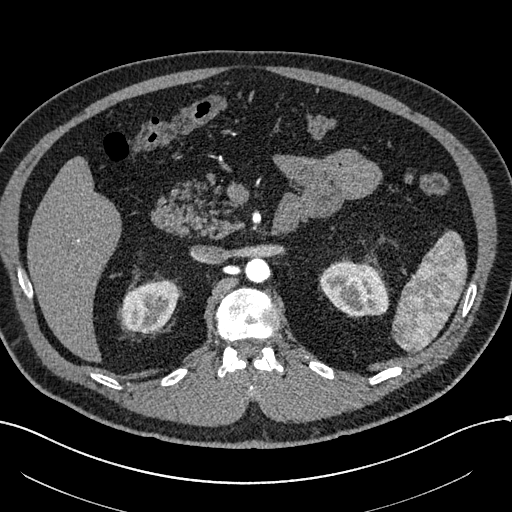
Abdominal CT with intravenous contrast, arterial phase, axial plane, 120 kVp, kernel I30f. Slice 396/602 from the bottom of the scan; thickness 1.00 mm; pixel size 0.799 mm.
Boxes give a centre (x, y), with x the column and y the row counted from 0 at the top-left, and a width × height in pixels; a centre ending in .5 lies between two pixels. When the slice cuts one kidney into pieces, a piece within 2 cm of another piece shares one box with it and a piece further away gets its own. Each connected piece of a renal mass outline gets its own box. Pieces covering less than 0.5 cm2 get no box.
Boxed on this slice (two kidney boxes), listed by box centre from the image's left to its right: (1) Right kidney in a box with centre (150, 306), 59 × 53 pixels (outlined area 2,357 px, about 15.0 cm2). (2) Left kidney in a box with centre (354, 288.5), 71 × 58 pixels (outlined area 3,024 px, about 19.3 cm2). No renal mass outline on this slice.